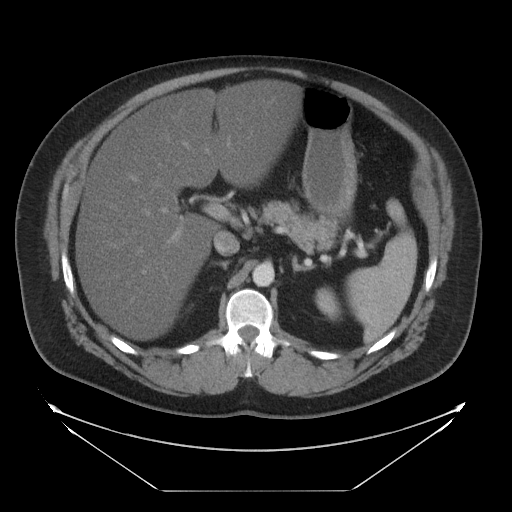
One axial slice (26 of 29, counting up from the lowest) of a contrast-enhanced abdominal CT acquired with 120 kVp, kernel STANDARD; each pixel is 0.977 mm and the slice is 5.00 mm thick.
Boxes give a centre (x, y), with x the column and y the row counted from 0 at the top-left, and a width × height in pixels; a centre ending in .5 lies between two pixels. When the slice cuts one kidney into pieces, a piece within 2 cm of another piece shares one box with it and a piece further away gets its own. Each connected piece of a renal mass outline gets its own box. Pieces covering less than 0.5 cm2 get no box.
Left kidney in a box with centre (327.5, 303.5), 26 × 34 pixels (outlined area 612 px, about 5.8 cm2). No renal mass outline on this slice.